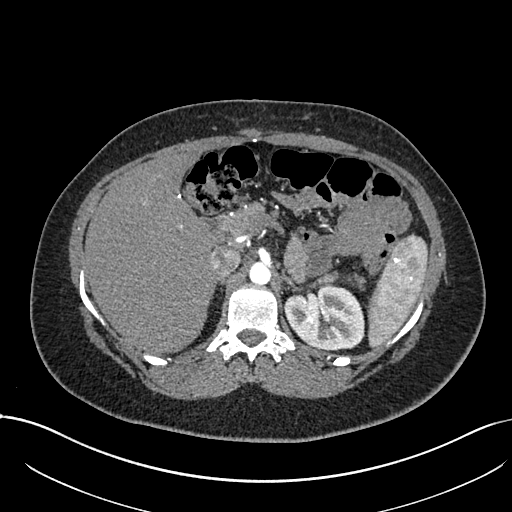
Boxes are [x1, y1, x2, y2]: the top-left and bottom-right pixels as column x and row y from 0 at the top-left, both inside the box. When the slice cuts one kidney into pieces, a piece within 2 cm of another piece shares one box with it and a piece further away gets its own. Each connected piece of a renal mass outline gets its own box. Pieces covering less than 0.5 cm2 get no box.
Arterial-phase contrast-enhanced abdominal CT, axial slice 508 of 738 (counted from the lowest slice); 1.00 mm thick, 0.789 mm per pixel. Left kidney, box [282, 284, 364, 350] (outlined area 4,179 px, about 26.0 cm2). No renal mass outline on this slice.
Scan settings: 120 kVp, I30f reconstruction kernel.